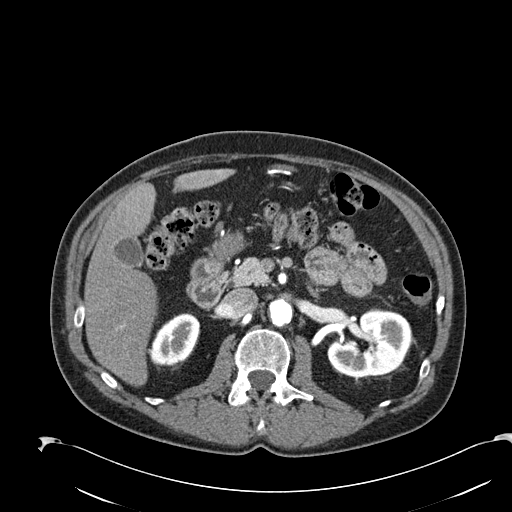
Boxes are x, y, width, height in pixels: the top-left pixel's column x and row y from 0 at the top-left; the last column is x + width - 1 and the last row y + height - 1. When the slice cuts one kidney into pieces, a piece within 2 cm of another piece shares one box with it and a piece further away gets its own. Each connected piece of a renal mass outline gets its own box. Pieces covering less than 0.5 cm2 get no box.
This is axial slice 129 of 274 (slice 1 is the lowest) of an arterial-phase abdominal CT with contrast; each pixel is 0.809 mm and the slice is 2.00 mm thick. Two boxes on this slice (two kidney boxes), listed by box centre from the image's left to its right. (1) Box x 150, y 313, width 51, height 53: right kidney (outlined area 1,907 px, about 12.5 cm2). (2) Left kidney at x 327, y 308, width 85, height 70 (outlined area 4,219 px, about 27.6 cm2). This slice carries no renal mass outline.
Scan settings: 120 kVp, B30f reconstruction kernel.